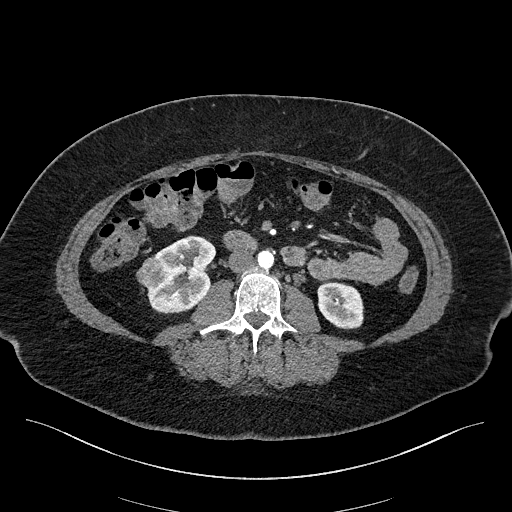
One axial slice (74 of 270, counting up from the lowest) of an arterial-phase abdominal CT acquired with 100 kVp, kernel I40f; each pixel is 0.855 mm and the slice is 2.00 mm thick.
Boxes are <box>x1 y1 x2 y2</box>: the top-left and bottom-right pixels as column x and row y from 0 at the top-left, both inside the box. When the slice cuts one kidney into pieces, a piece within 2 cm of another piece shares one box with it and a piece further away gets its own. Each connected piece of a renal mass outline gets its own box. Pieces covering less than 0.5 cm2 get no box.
Boxed on this slice (two kidney boxes and one renal mass box), listed by box centre from the image's left to its right: (1) Right renal mass at <box>136 257 167 287</box> (outlined area 690 px, about 5.0 cm2). (2) Right kidney: <box>147 235 215 313</box> (outlined area 3,617 px, about 26.5 cm2). (3) Left kidney at <box>317 281 363 329</box> (outlined area 1,806 px, about 13.2 cm2).